Abdominal CT with intravenous contrast, arterial phase, axial plane, 120 kVp, kernel B31f. Slice 75/114 from the bottom of the scan; thickness 5.00 mm; pixel size 0.781 mm.
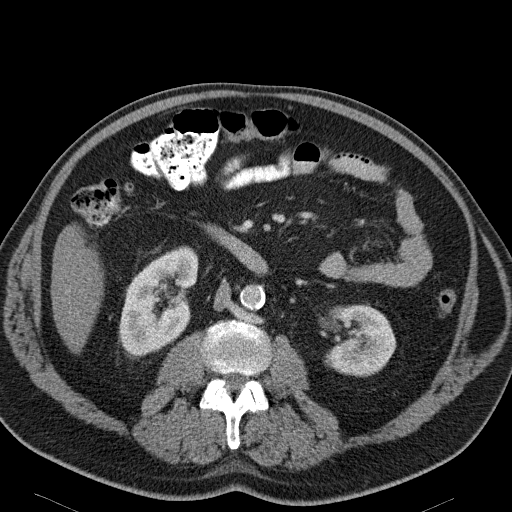
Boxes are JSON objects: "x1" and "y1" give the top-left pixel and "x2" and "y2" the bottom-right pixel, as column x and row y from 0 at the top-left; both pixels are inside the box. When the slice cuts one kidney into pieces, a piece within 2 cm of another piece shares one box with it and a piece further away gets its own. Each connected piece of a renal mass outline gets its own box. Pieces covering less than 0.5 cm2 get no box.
Two kidney boxes on this slice; by box centre, from the image's left to its right: (1) Right kidney at {"x1": 119, "y1": 246, "x2": 198, "y2": 356} (outlined area 6,037 px, about 36.8 cm2). (2) Box {"x1": 327, "y1": 304, "x2": 396, "y2": 376}: left kidney (outlined area 3,874 px, about 23.6 cm2). No renal mass is outlined on this slice.